Axial slice 241 of 527 of a contrast-enhanced abdominal CT in the arterial phase (slice 1 is the lowest), 120 kVp, kernel I30f; 1.00 mm slice thickness and 0.859 mm pixels.
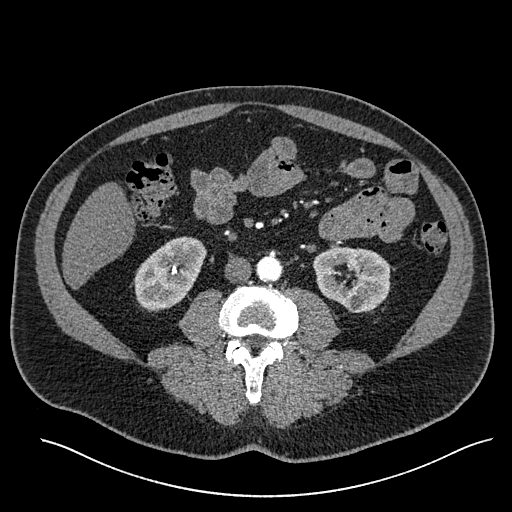
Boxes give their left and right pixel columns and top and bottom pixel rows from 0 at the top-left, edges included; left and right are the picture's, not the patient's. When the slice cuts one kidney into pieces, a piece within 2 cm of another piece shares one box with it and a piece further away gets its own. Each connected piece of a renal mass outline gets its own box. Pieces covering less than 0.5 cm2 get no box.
Two boxes on this slice (two kidney boxes), listed by box centre from the image's left to its right. (1) Right kidney, the box with left 133, top 236, right 206, bottom 310 (outlined area 3,733 px, about 27.6 cm2). (2) Box with left 313, top 246, right 390, bottom 313: left kidney (outlined area 3,904 px, about 28.8 cm2). No renal mass is outlined on this slice.